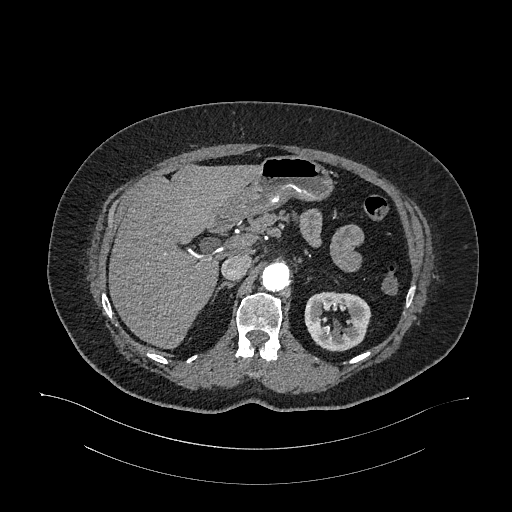
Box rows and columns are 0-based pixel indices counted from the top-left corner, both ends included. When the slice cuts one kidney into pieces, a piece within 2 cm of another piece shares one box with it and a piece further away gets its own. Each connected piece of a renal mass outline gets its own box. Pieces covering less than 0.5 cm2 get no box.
This is axial slice 740 of 987 (slice 1 is the lowest) of an arterial-phase abdominal CT with contrast; each pixel is 0.977 mm and the slice is 1.00 mm thick. Left kidney at rows 292–351, columns 304–371 (outlined area 2,973 px, about 28.4 cm2). No renal mass outline on this slice.
Tube voltage 120 kVp; convolution kernel I26f.